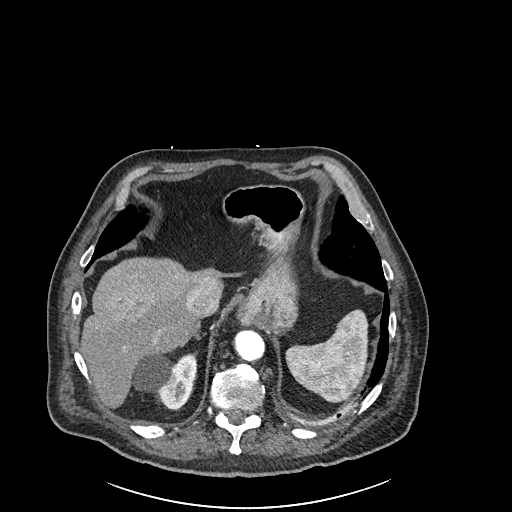
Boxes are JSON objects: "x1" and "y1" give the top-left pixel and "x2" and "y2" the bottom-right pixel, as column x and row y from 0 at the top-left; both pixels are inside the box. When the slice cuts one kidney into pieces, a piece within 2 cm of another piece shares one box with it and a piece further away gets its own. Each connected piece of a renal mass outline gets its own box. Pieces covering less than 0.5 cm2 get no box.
Slice 202/261 of a contrast-enhanced abdominal CT in the arterial phase, counting up from the lowest; pixel size 0.939 mm, slice thickness 2.00 mm. Right kidney at {"x1": 130, "y1": 352, "x2": 196, "y2": 409} (outlined area 2,636 px, about 23.3 cm2). No renal mass outline on this slice.
Tube voltage 120 kVp; convolution kernel I30f.